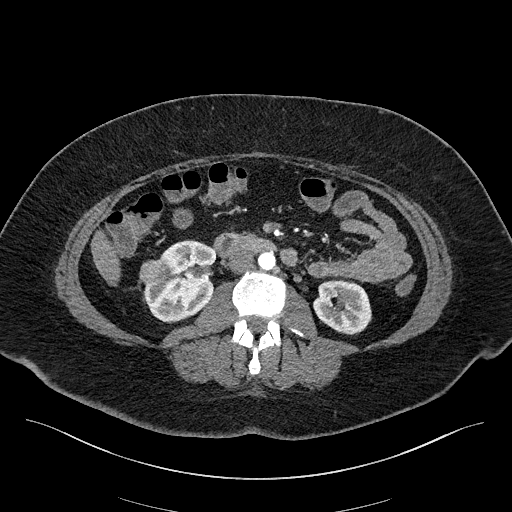
Arterial-phase contrast-enhanced abdominal CT, axial slice 85 of 270 (counted from the lowest slice); tube voltage 100 kVp, convolution kernel I40f; slices 2.00 mm thick, 0.855 mm per pixel.
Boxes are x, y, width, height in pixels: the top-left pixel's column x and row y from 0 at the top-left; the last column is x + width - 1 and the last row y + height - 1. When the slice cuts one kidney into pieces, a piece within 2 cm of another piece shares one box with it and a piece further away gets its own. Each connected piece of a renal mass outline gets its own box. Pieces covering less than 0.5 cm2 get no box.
Three boxes on this slice (two kidney boxes and one renal mass box), listed by box centre from the image's left to its right. (1) Right renal mass at x 139, y 259, width 27, height 27 (outlined area 584 px, about 4.3 cm2). (2) Box x 144, y 240, width 74, height 83: right kidney (outlined area 4,150 px, about 30.4 cm2). (3) Left kidney, box x 313, y 279, width 59, height 56 (outlined area 2,490 px, about 18.2 cm2).